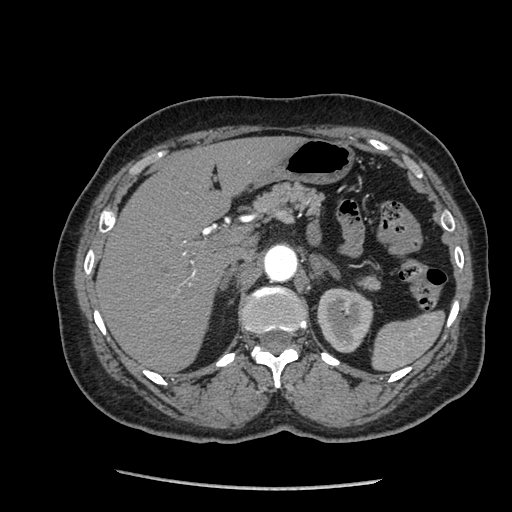
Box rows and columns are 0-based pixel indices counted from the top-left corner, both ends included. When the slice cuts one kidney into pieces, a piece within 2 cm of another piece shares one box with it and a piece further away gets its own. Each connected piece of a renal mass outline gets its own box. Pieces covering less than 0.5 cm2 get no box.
Slice 155/233 of a contrast-enhanced abdominal CT in the arterial phase, counting up from the lowest; pixel size 0.703 mm, slice thickness 1.25 mm. Left kidney, box rows 287–353, columns 317–373 (outlined area 2,832 px, about 14.0 cm2). No renal mass is outlined on this slice.
Acquired at 120 kVp and reconstructed with the STANDARD kernel.